Axial slice 112 of 145 of a contrast-enhanced abdominal CT in the arterial phase (slice 1 is the lowest), 100 kVp, kernel I40f; 3.00 mm slice thickness and 0.834 mm pixels.
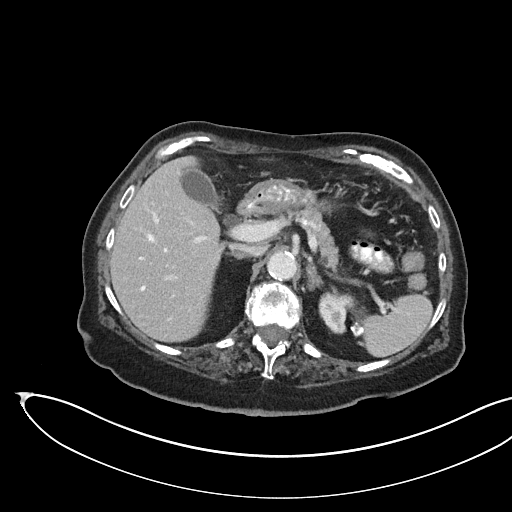
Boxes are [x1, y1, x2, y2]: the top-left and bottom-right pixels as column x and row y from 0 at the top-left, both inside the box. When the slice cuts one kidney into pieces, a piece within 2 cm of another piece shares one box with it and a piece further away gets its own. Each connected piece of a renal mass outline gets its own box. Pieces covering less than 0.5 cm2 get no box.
Box [318, 292, 368, 335]: kidney (outlined area 1,426 px, about 9.9 cm2). No renal mass outline on this slice.